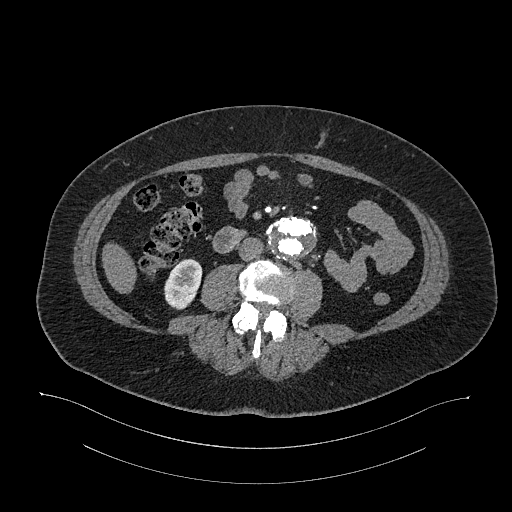
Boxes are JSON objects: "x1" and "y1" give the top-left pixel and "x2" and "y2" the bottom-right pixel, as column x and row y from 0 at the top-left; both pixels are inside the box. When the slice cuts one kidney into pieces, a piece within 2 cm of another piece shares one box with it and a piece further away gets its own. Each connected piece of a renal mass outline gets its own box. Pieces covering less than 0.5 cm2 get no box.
Arterial-phase contrast-enhanced abdominal CT, axial slice 548 of 987 (counted from the lowest slice); 1.00 mm thick, 0.977 mm per pixel. Box {"x1": 164, "y1": 258, "x2": 202, "y2": 309}: right kidney (outlined area 1,444 px, about 13.8 cm2). This slice carries no renal mass outline.
Scan settings: 120 kVp, I26f reconstruction kernel.